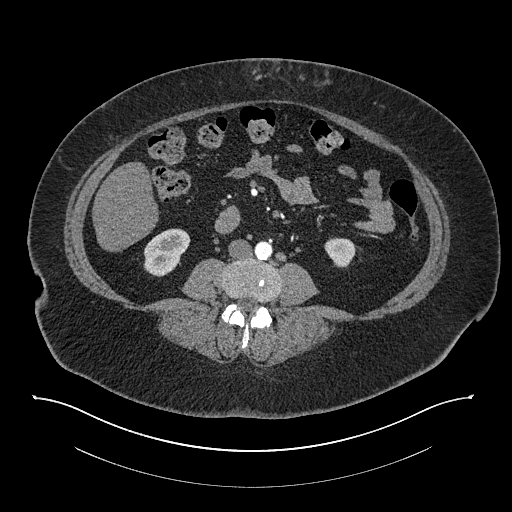
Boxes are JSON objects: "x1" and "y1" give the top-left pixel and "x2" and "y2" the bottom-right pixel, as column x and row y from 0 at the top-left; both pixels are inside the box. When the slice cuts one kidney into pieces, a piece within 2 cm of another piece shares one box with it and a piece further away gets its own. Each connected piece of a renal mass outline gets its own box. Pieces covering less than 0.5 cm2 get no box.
Arterial-phase contrast-enhanced abdominal CT, axial slice 354 of 673 (counted from the lowest slice); 1.00 mm thick, 0.957 mm per pixel. Boxed on this slice (two kidney boxes), listed by box centre from the image's left to its right: (1) Right kidney at {"x1": 143, "y1": 228, "x2": 190, "y2": 276} (outlined area 1,615 px, about 14.8 cm2). (2) Box {"x1": 324, "y1": 237, "x2": 356, "y2": 267}: left kidney (outlined area 726 px, about 6.6 cm2). This slice carries no renal mass outline.
Acquired at 140 kVp and reconstructed with the I30f kernel.